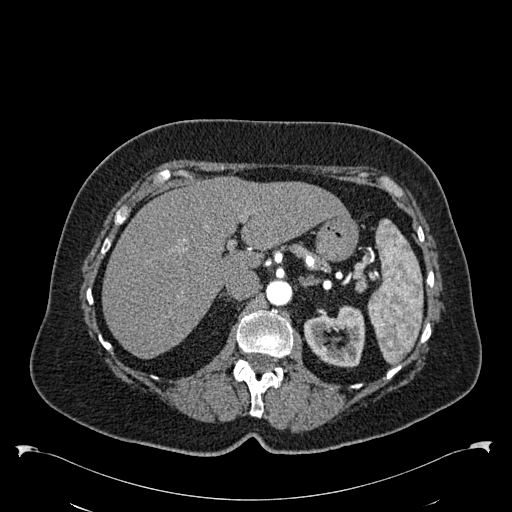
One axial slice (401 of 538, counting up from the lowest) of an arterial-phase abdominal CT acquired with 120 kVp, kernel B30f; each pixel is 0.811 mm and the slice is 1.00 mm thick.
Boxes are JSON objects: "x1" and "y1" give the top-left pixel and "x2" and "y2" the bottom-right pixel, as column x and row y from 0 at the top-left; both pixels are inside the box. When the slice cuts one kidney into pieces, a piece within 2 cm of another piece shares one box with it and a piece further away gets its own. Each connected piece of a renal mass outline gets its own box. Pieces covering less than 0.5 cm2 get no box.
Box {"x1": 303, "y1": 305, "x2": 365, "y2": 367}: left kidney (outlined area 2,674 px, about 17.6 cm2). No renal mass outline on this slice.